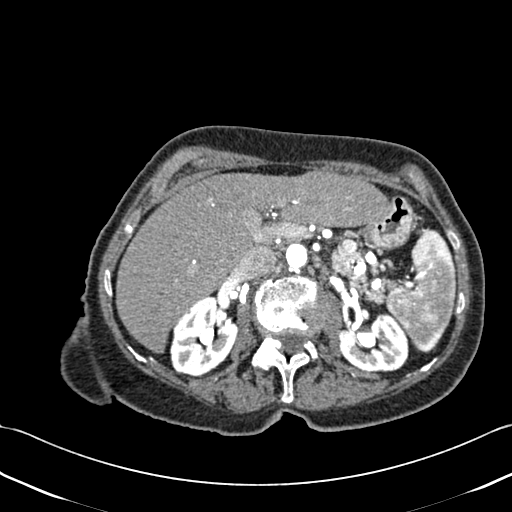
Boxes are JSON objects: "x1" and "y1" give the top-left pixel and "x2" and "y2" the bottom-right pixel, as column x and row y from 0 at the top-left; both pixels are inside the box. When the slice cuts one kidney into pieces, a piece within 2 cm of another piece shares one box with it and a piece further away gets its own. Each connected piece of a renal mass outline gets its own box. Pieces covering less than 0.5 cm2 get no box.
This is axial slice 287 of 433 (slice 1 is the lowest) of an abdominal CT with contrast; each pixel is 0.672 mm and the slice is 1.00 mm thick. Two kidney boxes on this slice; by box centre, from the image's left to its right: (1) Box {"x1": 170, "y1": 296, "x2": 237, "y2": 376}: right kidney (outlined area 3,972 px, about 17.9 cm2). (2) Box {"x1": 337, "y1": 313, "x2": 408, "y2": 372}: left kidney (outlined area 3,213 px, about 14.5 cm2). This slice carries no renal mass outline.
Acquired at 120 kVp and reconstructed with the B30f kernel.